One axial slice (267 of 705, counting up from the lowest) of an arterial-phase abdominal CT acquired with 120 kVp, kernel I30f; each pixel is 0.703 mm and the slice is 1.00 mm thick.
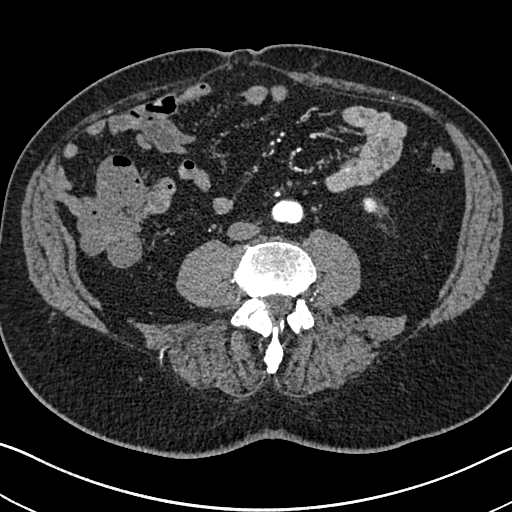
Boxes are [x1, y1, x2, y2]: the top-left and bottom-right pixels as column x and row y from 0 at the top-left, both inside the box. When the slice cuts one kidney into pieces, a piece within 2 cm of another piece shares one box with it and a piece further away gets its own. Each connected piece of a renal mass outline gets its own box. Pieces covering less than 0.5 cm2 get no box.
Box [364, 199, 377, 212]: left kidney (outlined area 150 px, about 0.7 cm2). No renal mass is outlined on this slice.